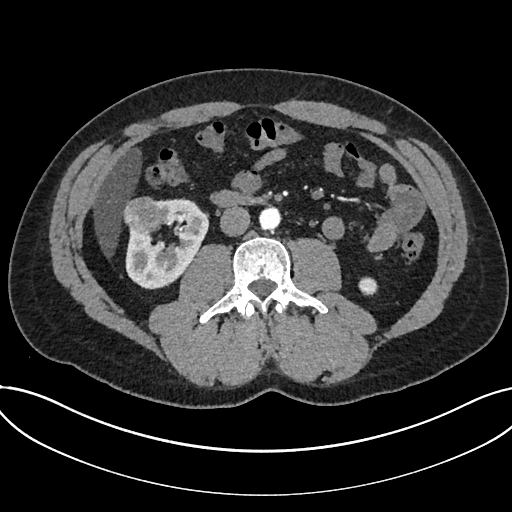
Abdominal CT with intravenous contrast, arterial phase, axial plane, 120 kVp, kernel I30f. Slice 354/735 from the bottom of the scan; thickness 1.00 mm; pixel size 0.789 mm.
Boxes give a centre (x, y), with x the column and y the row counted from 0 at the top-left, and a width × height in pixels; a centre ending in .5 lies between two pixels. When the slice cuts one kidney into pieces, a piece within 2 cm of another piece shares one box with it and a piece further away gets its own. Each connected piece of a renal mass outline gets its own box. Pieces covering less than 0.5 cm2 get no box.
Three boxes on this slice (two kidney boxes and one renal mass box), listed by box centre from the image's left to its right. (1) Renal mass, box centre (143.5, 215), 42 × 39 pixels (outlined area 1,265 px, about 7.9 cm2). (2) Box centre (167, 243.5), 85 × 92 pixels: kidney (outlined area 4,595 px, about 28.6 cm2). (3) Kidney in a box with centre (367.5, 286), 20 × 19 pixels (outlined area 302 px, about 1.9 cm2).